One axial slice (311 of 512, counting up from the lowest) of an arterial-phase abdominal CT acquired with 120 kVp, kernel B30f; each pixel is 0.771 mm and the slice is 1.00 mm thick.
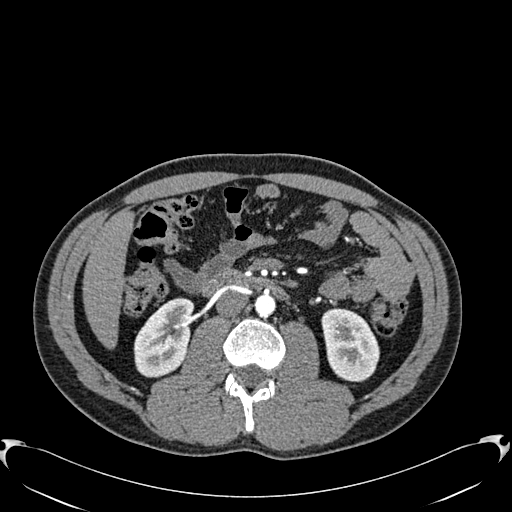
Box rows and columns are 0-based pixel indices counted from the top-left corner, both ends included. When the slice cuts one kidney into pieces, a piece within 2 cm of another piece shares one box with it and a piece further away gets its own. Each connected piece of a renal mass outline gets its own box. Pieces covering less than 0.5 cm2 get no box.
Boxed on this slice (two kidney boxes), listed by box centre from the image's left to its right: (1) Right kidney at rows 298–377, columns 133–193 (outlined area 3,477 px, about 20.7 cm2). (2) Box rows 308–381, columns 321–379: left kidney (outlined area 3,308 px, about 19.7 cm2). This slice carries no renal mass outline.